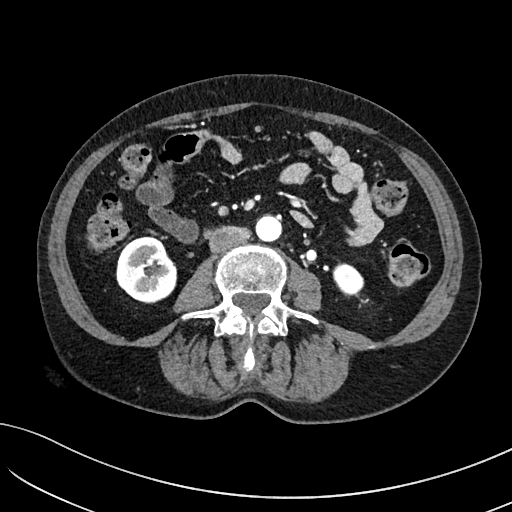
Arterial-phase contrast-enhanced abdominal CT, axial slice 25 of 234 (counted from the lowest slice); tube voltage 100 kVp, convolution kernel I40f; slices 2.00 mm thick, 0.699 mm per pixel.
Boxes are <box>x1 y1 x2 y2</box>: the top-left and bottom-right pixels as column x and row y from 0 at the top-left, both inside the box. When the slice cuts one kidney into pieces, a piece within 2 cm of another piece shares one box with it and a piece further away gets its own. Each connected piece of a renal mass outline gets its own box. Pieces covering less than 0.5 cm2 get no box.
Boxed on this slice (two kidney boxes), listed by box centre from the image's left to its right: (1) Right kidney at <box>116 234 177 303</box> (outlined area 3,167 px, about 15.5 cm2). (2) Left kidney: <box>332 262 364 296</box> (outlined area 796 px, about 3.9 cm2). No renal mass outline on this slice.